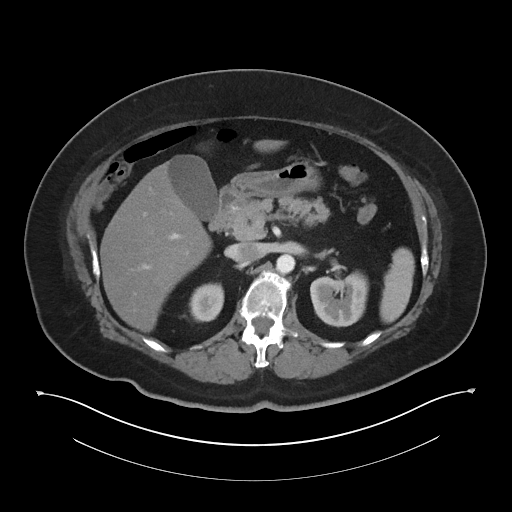
One axial slice (29 of 60, counting up from the lowest) of a contrast-enhanced abdominal CT acquired with 120 kVp, kernel I30f; each pixel is 0.971 mm and the slice is 5.00 mm thick.
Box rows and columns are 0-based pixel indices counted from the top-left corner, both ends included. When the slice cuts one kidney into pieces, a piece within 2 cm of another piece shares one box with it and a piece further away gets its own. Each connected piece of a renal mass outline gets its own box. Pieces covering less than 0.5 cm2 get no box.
Two kidney boxes on this slice; by box centre, from the image's left to its right: (1) Right kidney, box rows 283–321, columns 189–224 (outlined area 1,121 px, about 10.6 cm2). (2) Left kidney, box rows 270–327, columns 310–368 (outlined area 2,633 px, about 24.8 cm2). No renal mass outline on this slice.